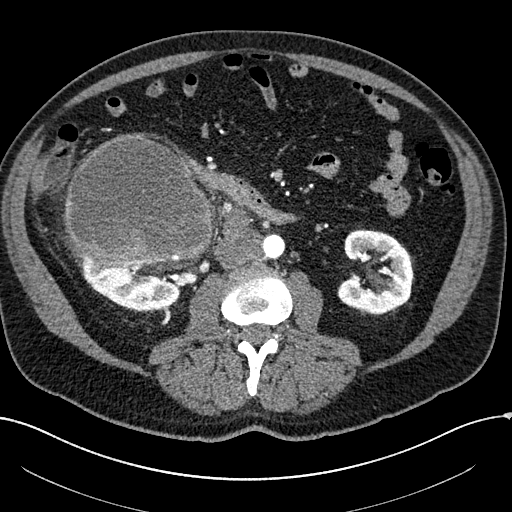
Arterial-phase contrast-enhanced abdominal CT, axial slice 85 of 304 (counted from the lowest slice); tube voltage 100 kVp, convolution kernel I30f; slices 2.00 mm thick, 0.809 mm per pixel.
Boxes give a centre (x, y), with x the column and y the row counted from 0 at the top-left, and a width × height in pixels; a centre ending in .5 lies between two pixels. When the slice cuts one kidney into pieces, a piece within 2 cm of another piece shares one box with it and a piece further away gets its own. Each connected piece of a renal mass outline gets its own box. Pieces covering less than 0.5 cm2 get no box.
Boxed on this slice (two kidney boxes and one renal mass box), listed by box centre from the image's left to its right: (1) Right kidney in a box with centre (130.5, 285), 100 × 55 pixels (outlined area 3,740 px, about 24.5 cm2). (2) Box centre (138, 199.5), 149 × 134 pixels: right renal mass (outlined area 15,563 px, about 101.8 cm2). (3) Box centre (375.5, 272), 78 × 87 pixels: left kidney (outlined area 4,819 px, about 31.5 cm2).